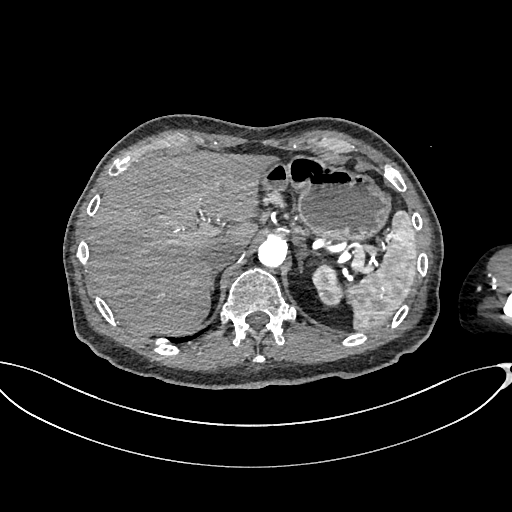
One axial slice (514 of 665, counting up from the lowest) of an arterial-phase abdominal CT acquired with 100 kVp, kernel I26f; each pixel is 0.828 mm and the slice is 1.00 mm thick.
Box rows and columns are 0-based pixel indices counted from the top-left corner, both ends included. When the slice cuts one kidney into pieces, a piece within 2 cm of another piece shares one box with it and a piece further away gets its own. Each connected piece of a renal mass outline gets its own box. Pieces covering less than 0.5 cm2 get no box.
Left kidney, box rows 263–306, columns 312–342 (outlined area 970 px, about 6.7 cm2). No renal mass outline on this slice.